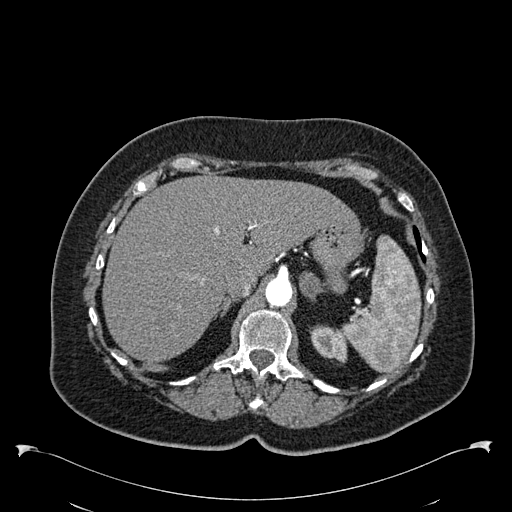
Arterial-phase contrast-enhanced abdominal CT, axial slice 439 of 538 (counted from the lowest slice); tube voltage 120 kVp, convolution kernel B30f; slices 1.00 mm thick, 0.811 mm per pixel.
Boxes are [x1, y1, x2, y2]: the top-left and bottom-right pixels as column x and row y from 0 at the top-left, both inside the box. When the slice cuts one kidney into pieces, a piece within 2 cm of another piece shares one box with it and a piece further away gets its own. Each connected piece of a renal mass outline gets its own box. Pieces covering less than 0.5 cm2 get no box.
Left kidney at [310, 325, 347, 363] (outlined area 1,034 px, about 6.8 cm2). No renal mass is outlined on this slice.